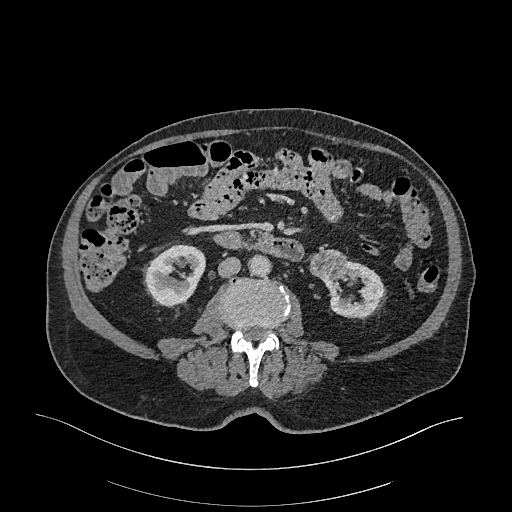
Arterial-phase contrast-enhanced abdominal CT, axial slice 113 of 470 (counted from the lowest slice); tube voltage 120 kVp, convolution kernel I26f; slices 1.00 mm thick, 0.938 mm per pixel.
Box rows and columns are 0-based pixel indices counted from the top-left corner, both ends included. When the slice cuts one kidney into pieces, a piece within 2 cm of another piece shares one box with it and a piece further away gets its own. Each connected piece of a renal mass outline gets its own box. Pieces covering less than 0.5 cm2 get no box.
Three boxes on this slice (two kidney boxes and one renal mass box), listed by box centre from the image's left to its right. (1) Right kidney at rows 244–306, columns 145–205 (outlined area 2,749 px, about 24.2 cm2). (2) Box rows 249–280, columns 309–346: left renal mass (outlined area 943 px, about 8.3 cm2). (3) Left kidney, box rows 260–318, columns 322–384 (outlined area 2,179 px, about 19.2 cm2).